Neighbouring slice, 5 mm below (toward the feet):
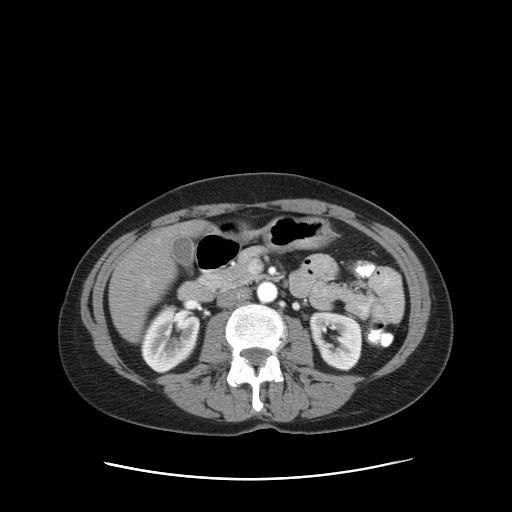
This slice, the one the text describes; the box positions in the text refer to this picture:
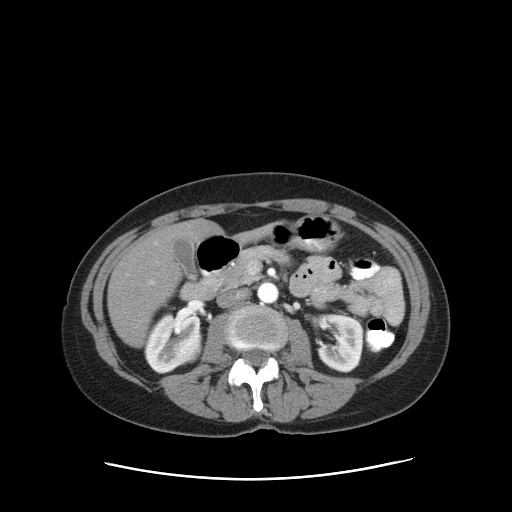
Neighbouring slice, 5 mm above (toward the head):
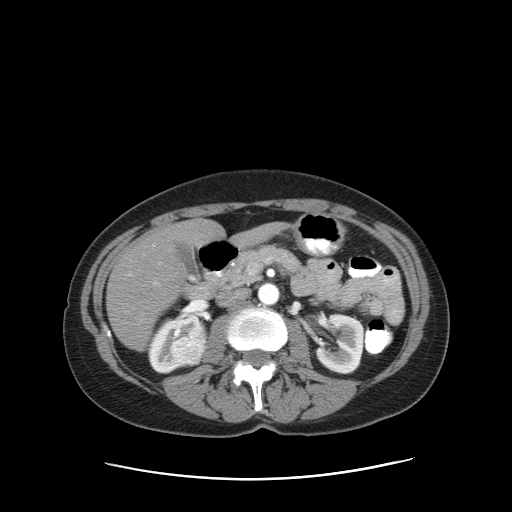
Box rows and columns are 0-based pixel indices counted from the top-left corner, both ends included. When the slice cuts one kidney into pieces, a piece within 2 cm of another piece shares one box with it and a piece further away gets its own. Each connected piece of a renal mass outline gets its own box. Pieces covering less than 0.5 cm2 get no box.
Arterial-phase contrast-enhanced abdominal CT, axial slice 52 of 83 (counted from the lowest slice); 5.00 mm thick, 0.775 mm per pixel. Three boxes on this slice (two kidney boxes and one renal mass box), listed by box centre from the image's left to its right. (1) Right kidney at rows 313–373, columns 144–200 (outlined area 2,103 px, about 12.6 cm2). (2) Right renal mass, box rows 332–362, columns 176–203 (outlined area 673 px, about 4.0 cm2). (3) Left kidney, box rows 313–372, columns 316–364 (outlined area 2,360 px, about 14.2 cm2). This slice lies near the end of the right renal mass toward the feet; the slices 5 mm below and 5 mm above it are shown too, and the boxes mark positions on this slice only.
Tube voltage 120 kVp; convolution kernel STANDARD.